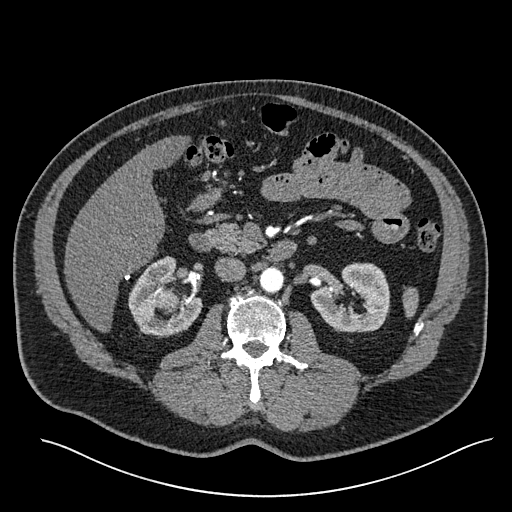
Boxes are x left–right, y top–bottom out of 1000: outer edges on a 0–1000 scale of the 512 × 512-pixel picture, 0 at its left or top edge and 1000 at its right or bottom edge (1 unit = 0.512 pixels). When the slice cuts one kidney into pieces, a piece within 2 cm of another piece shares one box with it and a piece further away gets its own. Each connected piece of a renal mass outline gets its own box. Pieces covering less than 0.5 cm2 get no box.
Arterial-phase contrast-enhanced abdominal CT, axial slice 330 of 527 (counted from the lowest slice); 1.00 mm thick, 0.859 mm per pixel. Three boxes on this slice (two kidney boxes and one renal mass box), listed by box centre from the image's left to its right. (1) Right kidney at x 250–396, y 500–662 out of 1000 (outlined area 3,527 px, about 26.0 cm2). (2) Right renal mass at x 303–352, y 564–617 out of 1000 (outlined area 485 px, about 3.6 cm2). (3) Box x 607–762, y 512–650 out of 1000: left kidney (outlined area 3,898 px, about 28.8 cm2).
Tube voltage 120 kVp; convolution kernel I30f.